One axial slice (77 of 279, counting up from the lowest) of an arterial-phase abdominal CT acquired with 120 kVp, kernel B31f; each pixel is 0.824 mm and the slice is 2.00 mm thick.
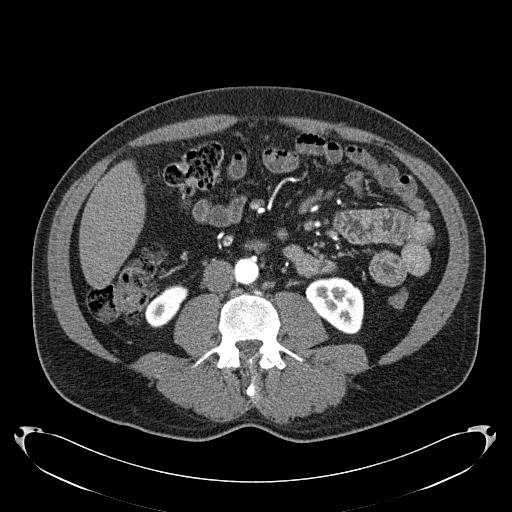
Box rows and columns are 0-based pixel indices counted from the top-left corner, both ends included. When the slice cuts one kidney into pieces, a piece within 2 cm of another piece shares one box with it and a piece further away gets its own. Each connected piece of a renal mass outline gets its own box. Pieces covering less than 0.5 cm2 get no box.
Boxed on this slice (two kidney boxes), listed by box centre from the image's left to its right: (1) Box rows 284–327, columns 145–187: right kidney (outlined area 1,176 px, about 8.0 cm2). (2) Left kidney, box rows 277–334, columns 305–364 (outlined area 2,456 px, about 16.7 cm2). This slice carries no renal mass outline.